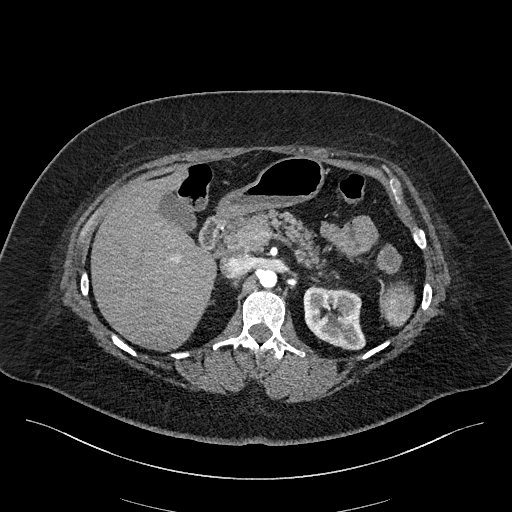
Axial slice 138 of 270 of a contrast-enhanced abdominal CT in the arterial phase (slice 1 is the lowest), 100 kVp, kernel I40f; 2.00 mm slice thickness and 0.855 mm pixels.
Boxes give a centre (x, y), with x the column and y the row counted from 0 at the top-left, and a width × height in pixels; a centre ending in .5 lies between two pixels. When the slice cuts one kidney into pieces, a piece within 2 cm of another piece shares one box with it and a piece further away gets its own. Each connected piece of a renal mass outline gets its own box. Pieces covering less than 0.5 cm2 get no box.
Left kidney, box centre (334, 317.5), 63 × 66 pixels (outlined area 3,087 px, about 22.6 cm2). This slice carries no renal mass outline.